Arterial-phase contrast-enhanced abdominal CT, axial slice 591 of 719 (counted from the lowest slice); tube voltage 120 kVp, convolution kernel B20f; slices 1.00 mm thick, 0.766 mm per pixel.
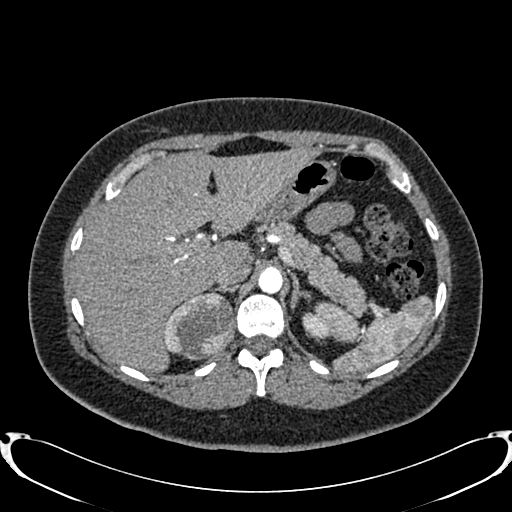
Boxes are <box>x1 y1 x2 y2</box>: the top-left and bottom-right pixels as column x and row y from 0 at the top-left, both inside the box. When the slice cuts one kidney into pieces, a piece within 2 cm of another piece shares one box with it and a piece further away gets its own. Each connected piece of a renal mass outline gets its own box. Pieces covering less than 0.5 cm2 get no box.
Boxed on this slice (two kidney boxes and one renal mass box), listed by box centre from the image's left to its right: (1) Right kidney: <box>164 315 175 353</box> (outlined area 140 px, about 0.8 cm2). (2) Right renal mass: <box>167 291 234 360</box> (outlined area 3,587 px, about 21.0 cm2). (3) Left kidney at <box>302 312 329 338</box> (outlined area 561 px, about 3.3 cm2).